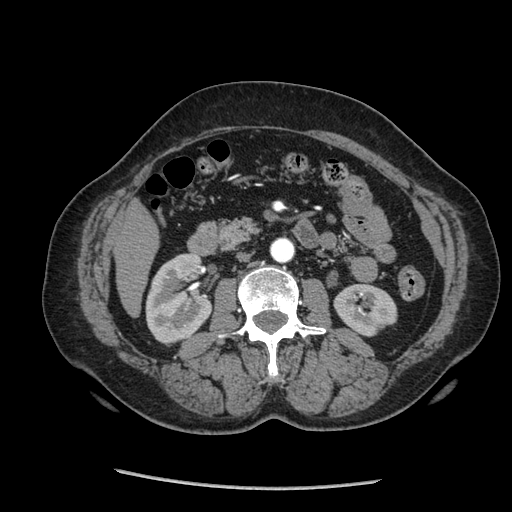
Axial slice 113 of 233 of a contrast-enhanced abdominal CT in the arterial phase (slice 1 is the lowest), 120 kVp, kernel STANDARD; 1.25 mm slice thickness and 0.703 mm pixels.
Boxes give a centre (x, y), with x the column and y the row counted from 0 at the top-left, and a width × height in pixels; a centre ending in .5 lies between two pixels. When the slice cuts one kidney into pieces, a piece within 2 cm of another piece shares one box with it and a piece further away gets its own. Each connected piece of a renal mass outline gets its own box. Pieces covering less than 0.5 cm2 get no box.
Two kidney boxes on this slice; by box centre, from the image's left to its right: (1) Right kidney, box centre (179.5, 299), 70 × 95 pixels (outlined area 4,677 px, about 23.1 cm2). (2) Box centre (365, 309.5), 65 × 54 pixels: left kidney (outlined area 2,512 px, about 12.4 cm2). No renal mass is outlined on this slice.